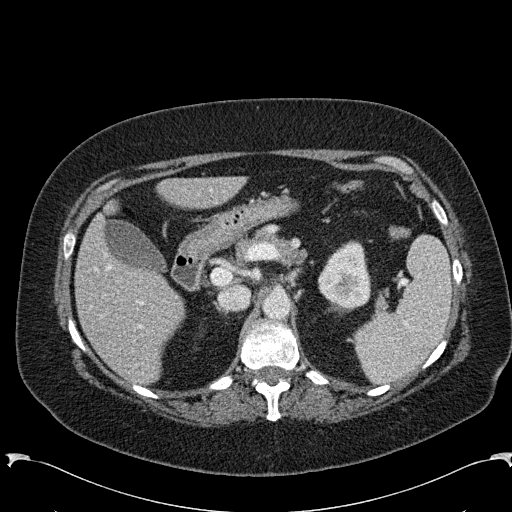
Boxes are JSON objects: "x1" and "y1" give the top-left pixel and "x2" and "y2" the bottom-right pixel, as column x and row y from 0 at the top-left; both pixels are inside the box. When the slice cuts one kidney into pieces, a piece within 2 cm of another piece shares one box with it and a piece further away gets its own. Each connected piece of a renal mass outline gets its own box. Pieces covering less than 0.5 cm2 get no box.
Slice 173/285 of a contrast-enhanced abdominal CT in the arterial phase, counting up from the lowest; pixel size 0.762 mm, slice thickness 2.00 mm. Left kidney, box {"x1": 317, "y1": 240, "x2": 371, "y2": 309} (outlined area 2,726 px, about 15.8 cm2). No renal mass outline on this slice.
Tube voltage 120 kVp; convolution kernel B31f.